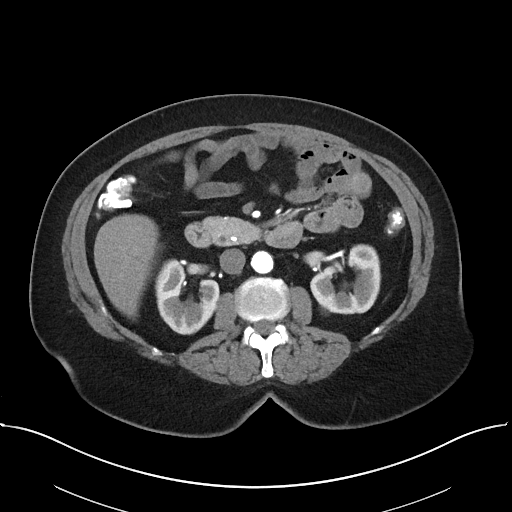
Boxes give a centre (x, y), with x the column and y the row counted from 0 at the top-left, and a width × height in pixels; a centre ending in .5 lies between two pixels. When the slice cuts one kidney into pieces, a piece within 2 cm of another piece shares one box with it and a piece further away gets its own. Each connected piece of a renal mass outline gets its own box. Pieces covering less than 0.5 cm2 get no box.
Arterial-phase contrast-enhanced abdominal CT, axial slice 18 of 38 (counted from the lowest slice); 5.00 mm thick, 0.822 mm per pixel. Two boxes on this slice (two kidney boxes), listed by box centre from the image's left to its right. (1) Right kidney, box centre (186.5, 296.5), 64 × 76 pixels (outlined area 3,248 px, about 22.0 cm2). (2) Left kidney, box centre (345.5, 279), 72 × 71 pixels (outlined area 3,391 px, about 22.9 cm2). This slice carries no renal mass outline.
Tube voltage 100 kVp; convolution kernel I40f.